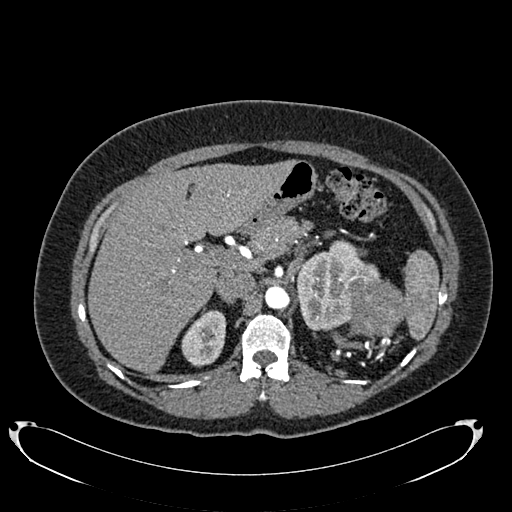
One axial slice (515 of 634, counting up from the lowest) of an arterial-phase abdominal CT acquired with 120 kVp, kernel B20f; each pixel is 0.838 mm and the slice is 1.00 mm thick.
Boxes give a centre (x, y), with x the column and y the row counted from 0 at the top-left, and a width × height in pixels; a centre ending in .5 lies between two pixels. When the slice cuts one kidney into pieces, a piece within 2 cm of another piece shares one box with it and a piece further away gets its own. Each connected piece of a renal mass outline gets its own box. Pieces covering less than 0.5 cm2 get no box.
Two kidney boxes and one renal mass box on this slice; by box centre, from the image's left to its right: (1) Right kidney, box centre (203.5, 338), 46 × 57 pixels (outlined area 1,904 px, about 13.4 cm2). (2) Box centre (338, 284.5), 85 × 92 pixels: left kidney (outlined area 4,614 px, about 32.4 cm2). (3) Box centre (376.5, 308), 58 × 59 pixels: left renal mass (outlined area 2,679 px, about 18.8 cm2).